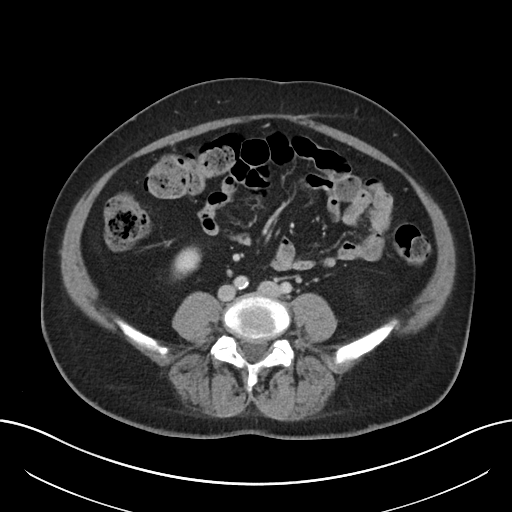
Contrast-enhanced abdominal CT, axial slice 88 of 197 (counted from the lowest slice); tube voltage 120 kVp, convolution kernel I30f; slices 5.00 mm thick, 0.791 mm per pixel.
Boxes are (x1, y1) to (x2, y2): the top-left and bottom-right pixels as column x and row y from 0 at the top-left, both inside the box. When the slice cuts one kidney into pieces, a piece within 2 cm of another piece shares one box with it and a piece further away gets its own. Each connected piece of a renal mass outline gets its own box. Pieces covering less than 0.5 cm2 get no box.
Right kidney, box (172, 246) to (201, 279) (outlined area 703 px, about 4.4 cm2). This slice carries no renal mass outline.